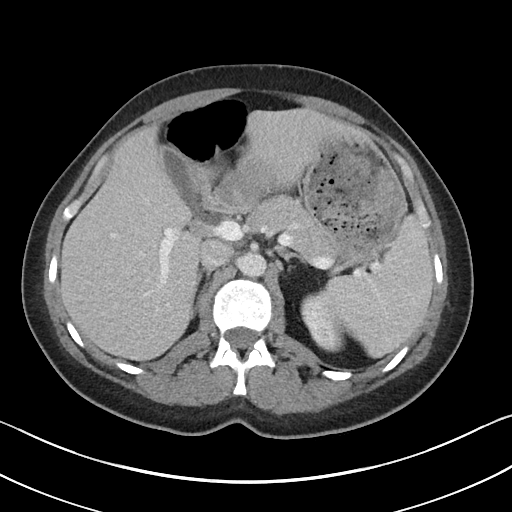
Arterial-phase contrast-enhanced abdominal CT, axial slice 71 of 90 (counted from the lowest slice); tube voltage 100 kVp, convolution kernel I40f; slices 5.00 mm thick, 0.703 mm per pixel.
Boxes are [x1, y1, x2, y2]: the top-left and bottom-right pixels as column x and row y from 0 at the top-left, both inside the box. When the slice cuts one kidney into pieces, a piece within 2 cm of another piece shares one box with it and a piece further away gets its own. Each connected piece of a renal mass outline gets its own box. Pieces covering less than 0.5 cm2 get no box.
Box [300, 292, 344, 352]: left kidney (outlined area 2,040 px, about 10.1 cm2). This slice carries no renal mass outline.